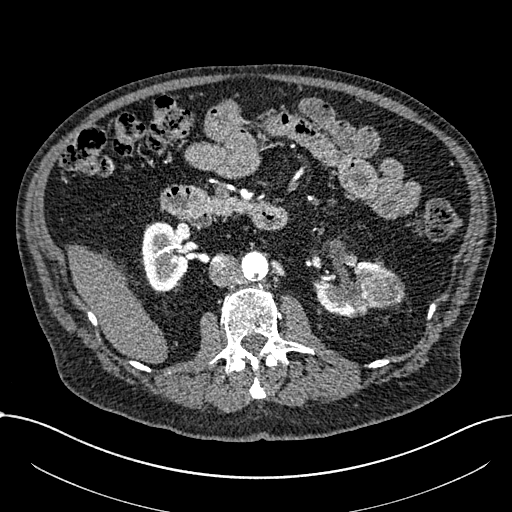
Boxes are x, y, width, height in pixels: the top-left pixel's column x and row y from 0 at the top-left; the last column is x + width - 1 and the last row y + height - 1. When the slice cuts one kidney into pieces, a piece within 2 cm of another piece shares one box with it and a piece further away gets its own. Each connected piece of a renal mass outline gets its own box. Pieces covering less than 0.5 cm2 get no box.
Arterial-phase contrast-enhanced abdominal CT, axial slice 390 of 1059 (counted from the lowest slice); 1.00 mm thick, 0.811 mm per pixel. Three boxes on this slice (two kidney boxes and one renal mass box), listed by box centre from the image's left to its right. (1) Box x 140, y 221, width 50, height 71: right part of the midline-crossing kidney (outlined area 2,527 px, about 16.6 cm2). (2) Box x 316, y 260, width 70, height 58: left part of the midline-crossing kidney (outlined area 2,176 px, about 14.3 cm2). (3) Renal mass, box x 361, y 267, width 45, height 42 (outlined area 1,346 px, about 8.8 cm2).
Scan settings: 100 kVp, I30f reconstruction kernel.